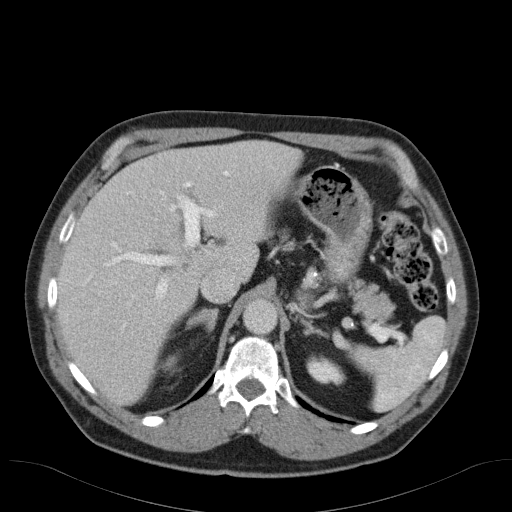
One axial slice (79 of 98, counting up from the lowest) of an arterial-phase abdominal CT acquired with 120 kVp, kernel B31f; each pixel is 0.764 mm and the slice is 5.00 mm thick.
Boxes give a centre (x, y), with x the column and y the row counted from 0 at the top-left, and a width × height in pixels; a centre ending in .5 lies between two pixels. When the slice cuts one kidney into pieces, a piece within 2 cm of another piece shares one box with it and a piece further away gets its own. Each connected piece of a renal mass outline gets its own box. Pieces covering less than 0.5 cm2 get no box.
Boxed on this slice (two kidney boxes), listed by box centre from the image's left to its right: (1) Right kidney in a box with centre (167.5, 362.5), 22 × 18 pixels (outlined area 268 px, about 1.6 cm2). (2) Left kidney, box centre (326, 369.5), 41 × 32 pixels (outlined area 868 px, about 5.1 cm2). This slice carries no renal mass outline.